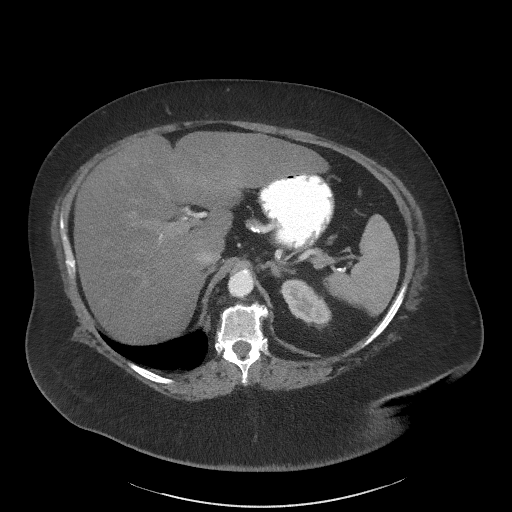
One axial slice (53 of 61, counting up from the lowest) of an arterial-phase abdominal CT acquired with 140 kVp, kernel I41f; each pixel is 0.947 mm and the slice is 3.00 mm thick.
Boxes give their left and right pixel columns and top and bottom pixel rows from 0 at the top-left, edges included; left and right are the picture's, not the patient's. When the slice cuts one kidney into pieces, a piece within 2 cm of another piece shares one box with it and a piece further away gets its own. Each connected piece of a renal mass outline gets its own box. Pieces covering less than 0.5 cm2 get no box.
Left kidney, the box with left 279, top 278, right 331, bottom 329 (outlined area 1,653 px, about 14.8 cm2). No renal mass outline on this slice.